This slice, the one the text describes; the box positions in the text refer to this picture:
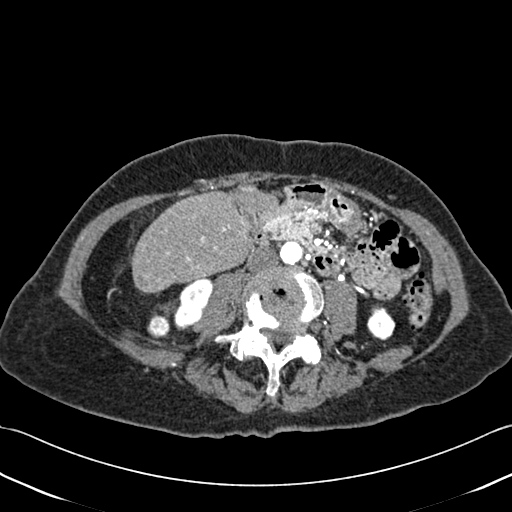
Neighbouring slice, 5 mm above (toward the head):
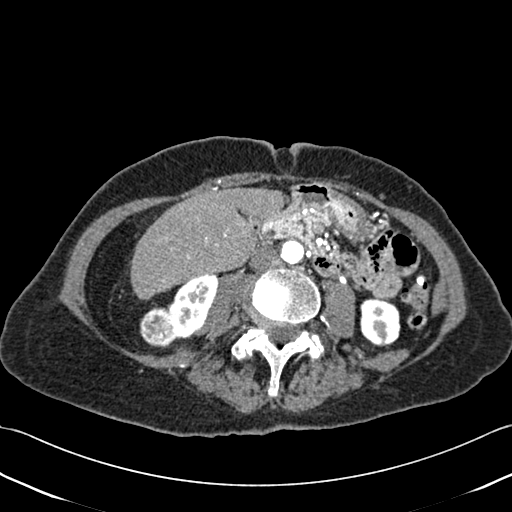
One axial slice (168 of 433, counting up from the lowest) of a contrast-enhanced abdominal CT acquired with 120 kVp, kernel B30f; each pixel is 0.672 mm and the slice is 1.00 mm thick.
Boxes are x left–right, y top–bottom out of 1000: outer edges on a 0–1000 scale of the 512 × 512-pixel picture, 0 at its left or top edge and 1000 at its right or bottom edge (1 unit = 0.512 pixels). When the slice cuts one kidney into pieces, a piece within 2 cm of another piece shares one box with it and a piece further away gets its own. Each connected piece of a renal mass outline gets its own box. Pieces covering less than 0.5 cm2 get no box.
Boxed on this slice (two kidney boxes and one renal mass box), listed by box centre from the image's left to its right: (1) Box x 287–332, y 615–660 out of 1000: right renal mass (outlined area 424 px, about 1.9 cm2). (2) Right kidney, box x 338–416, y 543–645 out of 1000 (outlined area 1,318 px, about 5.9 cm2). (3) Box x 717–773, y 596–666 out of 1000: left kidney (outlined area 753 px, about 3.4 cm2). This slice is near the end of the right renal mass toward the feet, so the slice 5 mm above it is shown as well; the boxes refer to this slice only.